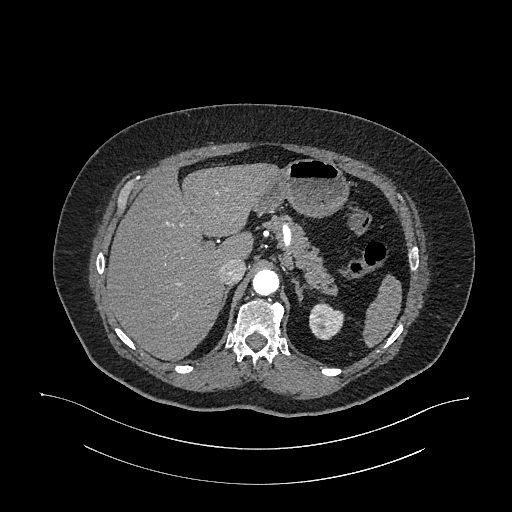
One axial slice (789 of 987, counting up from the lowest) of an arterial-phase abdominal CT acquired with 120 kVp, kernel I26f; each pixel is 0.977 mm and the slice is 1.00 mm thick.
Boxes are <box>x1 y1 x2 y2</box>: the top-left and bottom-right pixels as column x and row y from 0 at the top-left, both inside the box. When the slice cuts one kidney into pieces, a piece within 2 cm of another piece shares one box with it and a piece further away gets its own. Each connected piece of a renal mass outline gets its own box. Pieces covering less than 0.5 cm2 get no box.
Left kidney: <box>309 302 344 339</box> (outlined area 1,000 px, about 9.5 cm2). No renal mass is outlined on this slice.